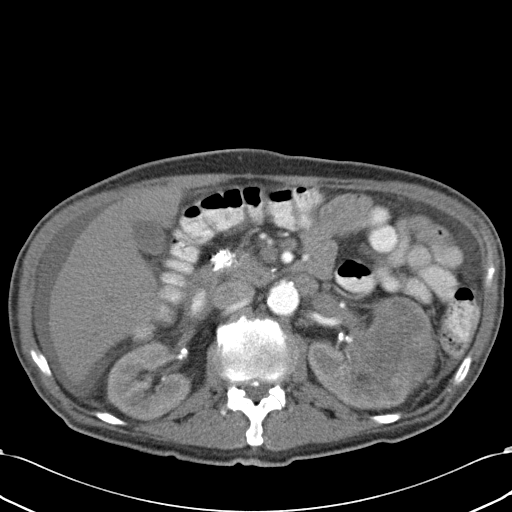
Axial slice 16 of 43 of a contrast-enhanced abdominal CT (slice 1 is the lowest), 120 kVp, kernel B31f; 5.00 mm slice thickness and 0.701 mm pixels.
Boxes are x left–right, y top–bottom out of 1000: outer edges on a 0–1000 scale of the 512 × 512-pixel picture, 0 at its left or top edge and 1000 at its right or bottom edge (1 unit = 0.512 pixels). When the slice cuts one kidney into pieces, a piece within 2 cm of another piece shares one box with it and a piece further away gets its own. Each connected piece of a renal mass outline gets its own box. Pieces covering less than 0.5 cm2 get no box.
Two kidney boxes and one renal mass box on this slice; by box centre, from the image's left to its right: (1) Box x 205–377, y 666–822 out of 1000: right kidney (outlined area 5,014 px, about 24.7 cm2). (2) Left kidney at x 602–797, y 588–803 out of 1000 (outlined area 4,827 px, about 23.7 cm2). (3) Left renal mass, box x 699–859, y 576–775 out of 1000 (outlined area 5,854 px, about 28.8 cm2).